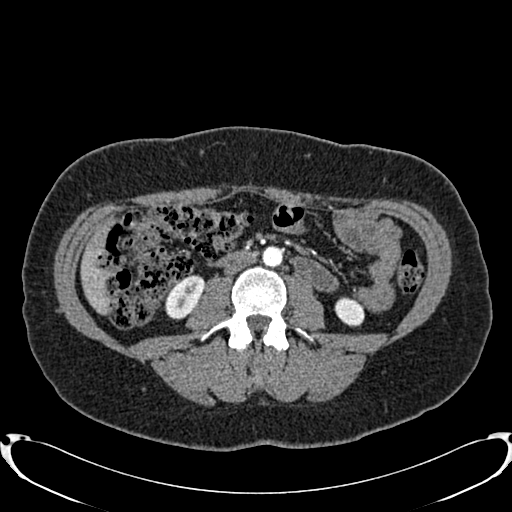
One axial slice (380 of 719, counting up from the lowest) of an arterial-phase abdominal CT acquired with 120 kVp, kernel B20f; each pixel is 0.766 mm and the slice is 1.00 mm thick.
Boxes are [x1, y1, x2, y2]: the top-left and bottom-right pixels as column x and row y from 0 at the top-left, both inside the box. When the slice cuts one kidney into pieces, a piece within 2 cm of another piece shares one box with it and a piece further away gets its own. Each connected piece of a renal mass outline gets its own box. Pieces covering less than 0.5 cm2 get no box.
Two kidney boxes on this slice; by box centre, from the image's left to its right: (1) Right kidney at [164, 275, 203, 320] (outlined area 1,218 px, about 7.1 cm2). (2) Left kidney at [334, 297, 364, 326] (outlined area 694 px, about 4.1 cm2). No renal mass outline on this slice.